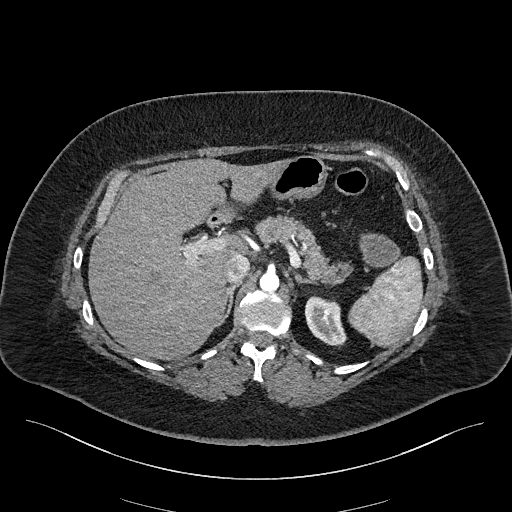
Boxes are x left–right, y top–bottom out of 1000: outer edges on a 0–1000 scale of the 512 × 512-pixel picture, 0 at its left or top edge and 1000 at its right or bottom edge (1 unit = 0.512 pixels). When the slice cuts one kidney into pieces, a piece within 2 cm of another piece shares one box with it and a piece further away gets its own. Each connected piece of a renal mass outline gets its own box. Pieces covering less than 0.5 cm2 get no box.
Arterial-phase contrast-enhanced abdominal CT, axial slice 157 of 270 (counted from the lowest slice); 2.00 mm thick, 0.855 mm per pixel. Left kidney at x 594–680, y 576–680 out of 1000 (outlined area 1,544 px, about 11.3 cm2). No renal mass is outlined on this slice.
Scan settings: 100 kVp, I40f reconstruction kernel.